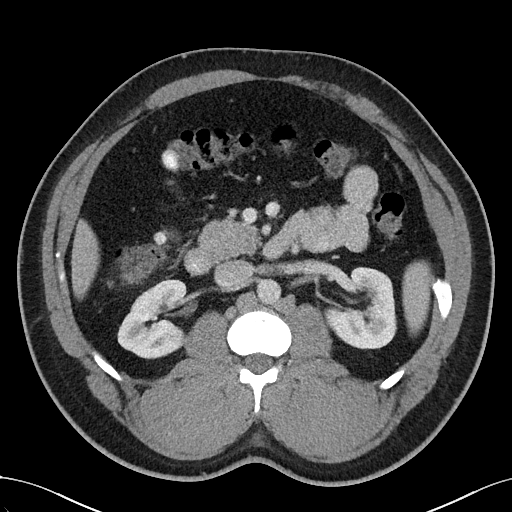
Arterial-phase contrast-enhanced abdominal CT, axial slice 67 of 102 (counted from the lowest slice); tube voltage 100 kVp, convolution kernel I40f; slices 5.00 mm thick, 0.781 mm per pixel.
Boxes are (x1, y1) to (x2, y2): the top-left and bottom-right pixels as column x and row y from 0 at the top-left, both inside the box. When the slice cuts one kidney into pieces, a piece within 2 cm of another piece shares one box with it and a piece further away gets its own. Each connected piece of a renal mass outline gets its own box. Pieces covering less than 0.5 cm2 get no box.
Boxed on this slice (two kidney boxes), listed by box centre from the image's left to its right: (1) Right kidney from (117, 277) to (187, 359) (outlined area 3,976 px, about 24.3 cm2). (2) Left kidney, box (324, 267) to (396, 349) (outlined area 4,172 px, about 25.5 cm2). No renal mass outline on this slice.